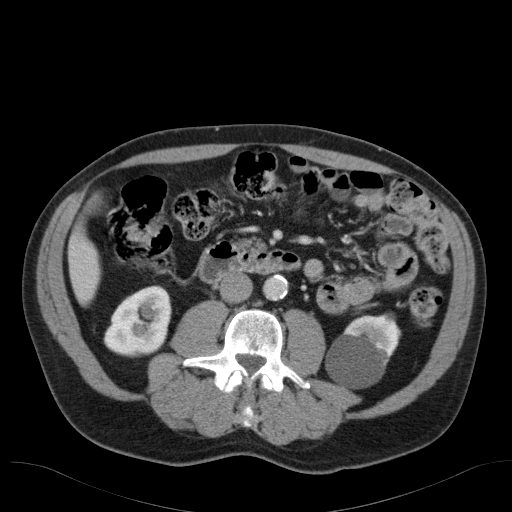
Axial slice 60 of 98 of a contrast-enhanced abdominal CT in the arterial phase (slice 1 is the lowest), 120 kVp, kernel B31f; 5.00 mm slice thickness and 0.764 mm pixels.
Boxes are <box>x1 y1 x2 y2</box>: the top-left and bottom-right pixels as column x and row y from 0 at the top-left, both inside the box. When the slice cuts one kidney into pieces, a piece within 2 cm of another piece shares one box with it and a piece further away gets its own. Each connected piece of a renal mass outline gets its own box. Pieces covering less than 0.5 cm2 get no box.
Two boxes on this slice (two kidney boxes), listed by box centre from the image's left to its right. (1) At <box>103 285 171 357</box>: right kidney (outlined area 3,641 px, about 21.2 cm2). (2) Left kidney: <box>325 313 401 388</box> (outlined area 4,021 px, about 23.5 cm2). This slice carries no renal mass outline.